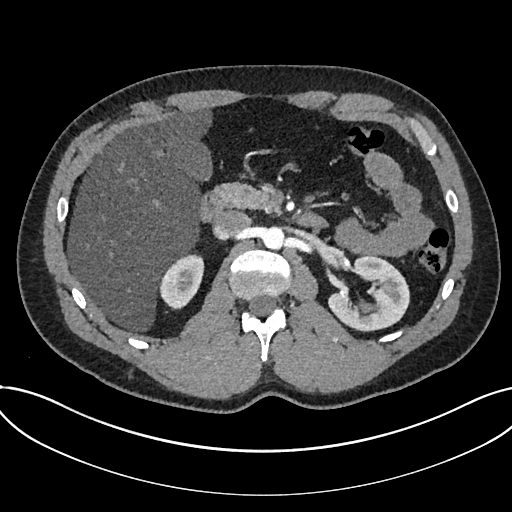
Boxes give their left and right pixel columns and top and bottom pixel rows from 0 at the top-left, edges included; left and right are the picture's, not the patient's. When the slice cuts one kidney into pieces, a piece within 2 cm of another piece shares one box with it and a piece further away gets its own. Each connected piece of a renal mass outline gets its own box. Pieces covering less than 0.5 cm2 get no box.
This is axial slice 454 of 735 (slice 1 is the lowest) of an arterial-phase abdominal CT with contrast; each pixel is 0.789 mm and the slice is 1.00 mm thick. Boxed on this slice (two kidney boxes), listed by box centre from the image's left to its right: (1) Box with left 159, top 254, right 204, bottom 309: kidney (outlined area 1,762 px, about 11.0 cm2). (2) Box with left 328, top 255, right 409, bottom 331: kidney (outlined area 4,060 px, about 25.3 cm2). No renal mass is outlined on this slice.
Acquired at 120 kVp and reconstructed with the I30f kernel.